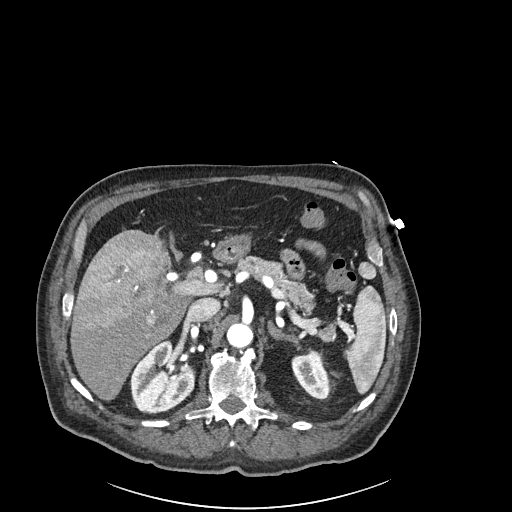
Abdominal CT with intravenous contrast, arterial phase, axial plane, 120 kVp, kernel I30f. Slice 154/261 from the bottom of the scan; thickness 2.00 mm; pixel size 0.939 mm.
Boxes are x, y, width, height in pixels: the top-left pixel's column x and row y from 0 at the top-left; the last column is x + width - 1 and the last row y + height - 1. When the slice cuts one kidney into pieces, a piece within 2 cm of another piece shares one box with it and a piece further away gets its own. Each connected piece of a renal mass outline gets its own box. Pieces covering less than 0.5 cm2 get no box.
Boxed on this slice (two kidney boxes), listed by box centre from the image's left to its right: (1) Right kidney, box x 129, y 340, width 67, height 75 (outlined area 3,570 px, about 31.5 cm2). (2) Left kidney at x 291, y 351, width 39, height 48 (outlined area 1,267 px, about 11.2 cm2). No renal mass outline on this slice.